One axial slice (64 of 88, counting up from the lowest) of an arterial-phase abdominal CT acquired with 120 kVp, kernel B41f; each pixel is 0.723 mm and the slice is 5.00 mm thick.
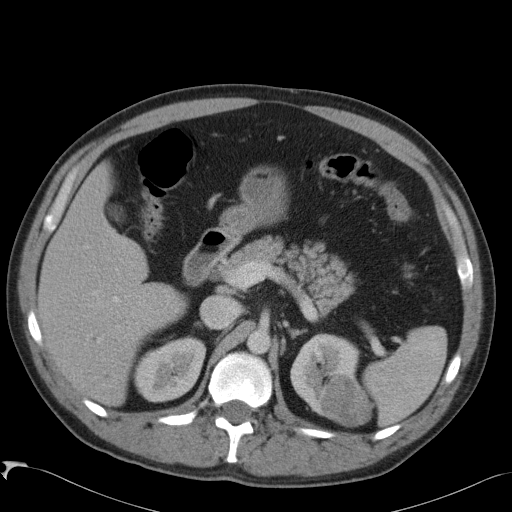
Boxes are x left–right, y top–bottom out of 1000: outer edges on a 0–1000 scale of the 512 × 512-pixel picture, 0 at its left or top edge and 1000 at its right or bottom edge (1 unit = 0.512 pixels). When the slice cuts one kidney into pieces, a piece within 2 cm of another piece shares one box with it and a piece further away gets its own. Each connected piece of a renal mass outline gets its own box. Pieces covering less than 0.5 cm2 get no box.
Three boxes on this slice (two kidney boxes and one renal mass box), listed by box centre from the image's left to its right. (1) Right kidney, box x 256–402, y 656–787 out of 1000 (outlined area 3,528 px, about 18.4 cm2). (2) Left kidney at x 566–703, y 650–814 out of 1000 (outlined area 3,143 px, about 16.4 cm2). (3) Left renal mass at x 621–732, y 727–836 out of 1000 (outlined area 2,218 px, about 11.6 cm2).